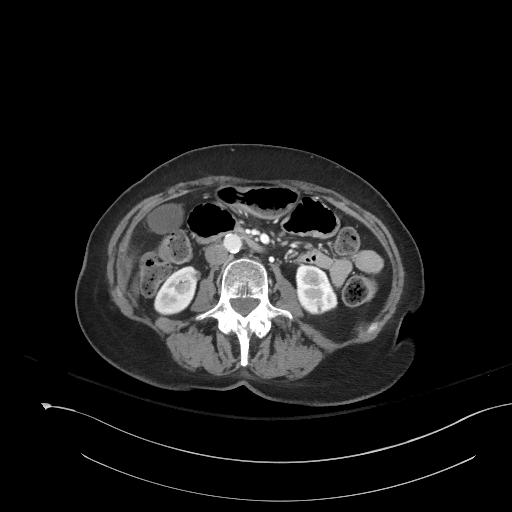
One axial slice (87 of 153, counting up from the lowest) of a contrast-enhanced abdominal CT acquired with 120 kVp, kernel I41f; each pixel is 0.893 mm and the slice is 3.00 mm thick.
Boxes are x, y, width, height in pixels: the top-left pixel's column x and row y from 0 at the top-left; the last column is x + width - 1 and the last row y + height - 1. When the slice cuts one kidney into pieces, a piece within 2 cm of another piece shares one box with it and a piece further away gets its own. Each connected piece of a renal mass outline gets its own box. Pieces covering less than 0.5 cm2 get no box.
Boxed on this slice (two kidney boxes), listed by box centre from the image's left to its right: (1) Right kidney at x 153, y 265, width 48, height 51 (outlined area 1,577 px, about 12.6 cm2). (2) Left kidney, box x 295, y 265, width 43, height 50 (outlined area 1,630 px, about 13.0 cm2). This slice carries no renal mass outline.